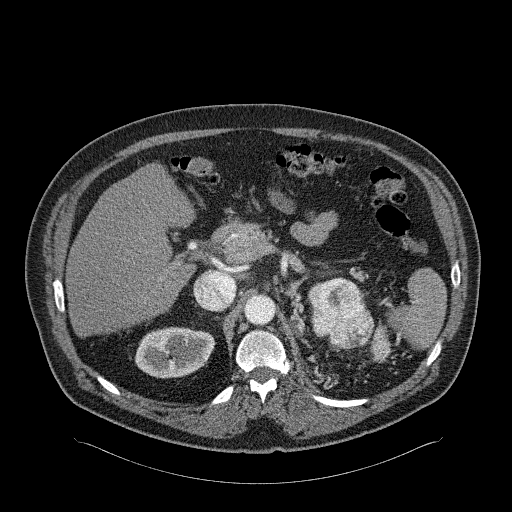
Axial slice 176 of 326 of a contrast-enhanced abdominal CT in the arterial phase (slice 1 is the lowest), 120 kVp, kernel B31f; 2.00 mm slice thickness and 0.963 mm pixels.
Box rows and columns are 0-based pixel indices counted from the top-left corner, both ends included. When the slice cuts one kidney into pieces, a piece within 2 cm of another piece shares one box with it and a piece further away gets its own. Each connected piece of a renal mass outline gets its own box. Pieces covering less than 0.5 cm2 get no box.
Four boxes on this slice (two kidney boxes and two renal mass boxes), listed by box centre from the image's left to its right. (1) Right kidney at rows 327–378, columns 135–215 (outlined area 3,272 px, about 30.3 cm2). (2) Left kidney, box rows 282–312, columns 307–321 (outlined area 142 px, about 1.3 cm2). (3) Left renal mass, box rows 277–349, columns 311–374 (outlined area 3,486 px, about 32.3 cm2). (4) Left renal mass, box rows 324–363, columns 370–392 (outlined area 618 px, about 5.7 cm2); it sits over 1 cm from every kidney outline on this slice, but the same outlined renal mass comes within 1 cm of the kidney on another slice.